One axial slice (17 of 69, counting up from the lowest) of an arterial-phase abdominal CT acquired with 120 kVp, kernel STANDARD; each pixel is 0.846 mm and the slice is 2.50 mm thick.
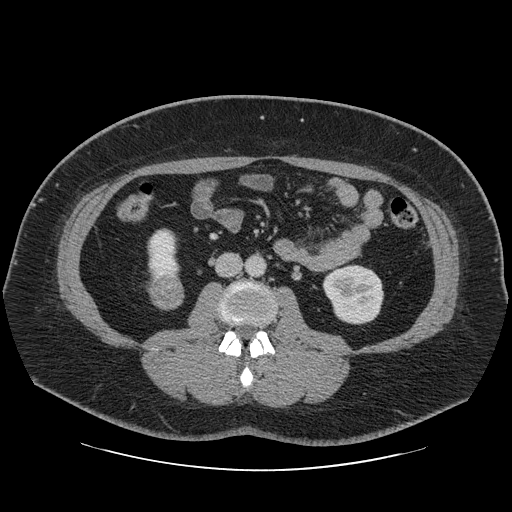
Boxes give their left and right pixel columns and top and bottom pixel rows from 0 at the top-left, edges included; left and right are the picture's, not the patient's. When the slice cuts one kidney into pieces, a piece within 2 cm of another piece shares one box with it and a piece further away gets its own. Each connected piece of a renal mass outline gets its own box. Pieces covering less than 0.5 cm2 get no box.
Boxed on this slice (two kidney boxes and one renal mass box), listed by box centre from the image's left to its right: (1) Box with left 147, top 228, right 180, bottom 284: right kidney (outlined area 1,351 px, about 9.7 cm2). (2) Box with left 148, top 273, right 184, bottom 310: right renal mass (outlined area 1,057 px, about 7.6 cm2). (3) Left kidney in the box with left 322, top 264, right 384, bottom 324 (outlined area 2,866 px, about 20.5 cm2).